Axial slice 650 of 987 of a contrast-enhanced abdominal CT in the arterial phase (slice 1 is the lowest), 120 kVp, kernel I26f; 1.00 mm slice thickness and 0.977 mm pixels.
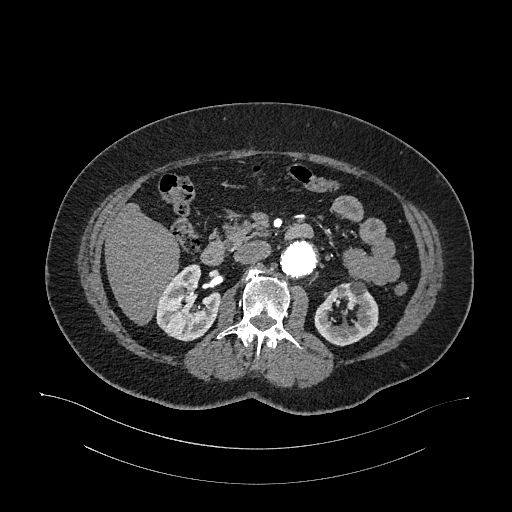
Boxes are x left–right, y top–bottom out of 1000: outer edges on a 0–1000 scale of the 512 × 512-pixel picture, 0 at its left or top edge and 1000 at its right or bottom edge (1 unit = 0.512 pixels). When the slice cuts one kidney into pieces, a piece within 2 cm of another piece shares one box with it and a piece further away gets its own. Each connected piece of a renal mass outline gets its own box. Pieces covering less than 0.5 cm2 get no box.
Two boxes on this slice (two kidney boxes), listed by box centre from the image's left to its right. (1) Box x 303–432, y 516–668 out of 1000: right kidney (outlined area 3,398 px, about 32.4 cm2). (2) Box x 613–740, y 549–678 out of 1000: left kidney (outlined area 2,802 px, about 26.7 cm2). This slice carries no renal mass outline.